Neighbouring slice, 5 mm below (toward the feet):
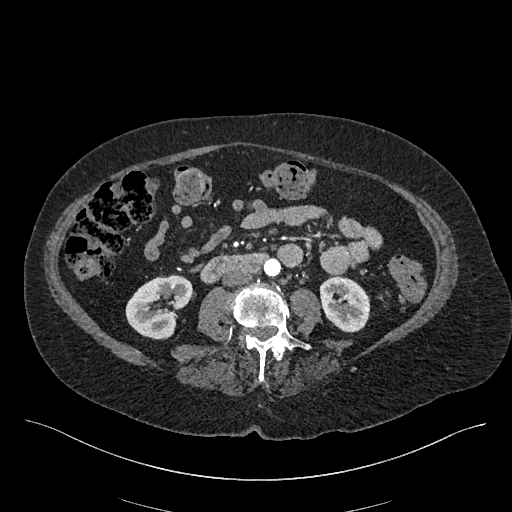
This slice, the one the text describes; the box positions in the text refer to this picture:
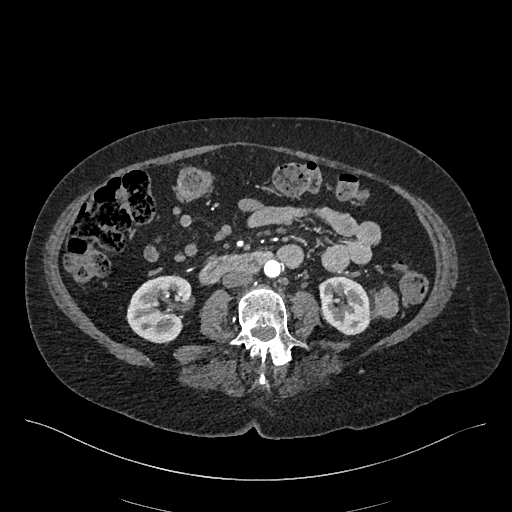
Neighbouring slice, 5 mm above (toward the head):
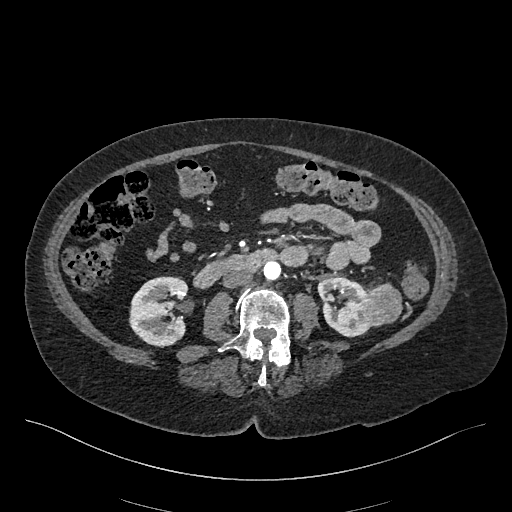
Arterial-phase contrast-enhanced abdominal CT, axial slice 201 of 548 (counted from the lowest slice); tube voltage 120 kVp, convolution kernel I26f; slices 1.00 mm thick, 0.852 mm per pixel.
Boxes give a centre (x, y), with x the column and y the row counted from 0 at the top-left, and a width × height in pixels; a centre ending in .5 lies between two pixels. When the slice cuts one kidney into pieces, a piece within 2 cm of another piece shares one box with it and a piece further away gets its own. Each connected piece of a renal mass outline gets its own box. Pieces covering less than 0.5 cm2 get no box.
Boxed on this slice (two kidney boxes and one renal mass box), listed by box centre from the image's left to its right: (1) Right kidney in a box with centre (159, 309), 67 × 69 pixels (outlined area 3,313 px, about 24.0 cm2). (2) Left kidney, box centre (344.5, 305), 54 × 61 pixels (outlined area 2,448 px, about 17.8 cm2). (3) Left renal mass in a box with centre (386, 301.5), 25 × 34 pixels (outlined area 600 px, about 4.4 cm2). This slice is near the end of the left renal mass toward the feet, so the slices 5 mm below and 5 mm above it are shown as well; the boxes refer to this slice only.